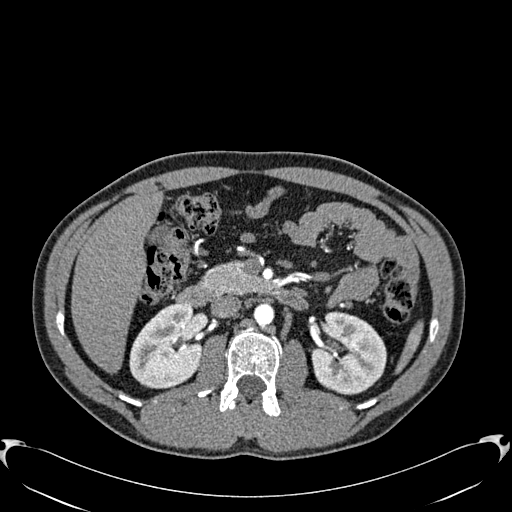
One axial slice (360 of 512, counting up from the lowest) of an arterial-phase abdominal CT acquired with 120 kVp, kernel B30f; each pixel is 0.771 mm and the slice is 1.00 mm thick.
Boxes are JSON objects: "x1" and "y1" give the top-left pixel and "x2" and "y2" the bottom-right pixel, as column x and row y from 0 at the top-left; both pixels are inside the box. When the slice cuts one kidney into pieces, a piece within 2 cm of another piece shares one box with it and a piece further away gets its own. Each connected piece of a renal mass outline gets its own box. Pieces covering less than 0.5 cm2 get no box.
Two kidney boxes on this slice; by box centre, from the image's left to its right: (1) Right kidney, box {"x1": 129, "y1": 303, "x2": 202, "y2": 388} (outlined area 4,678 px, about 27.8 cm2). (2) Left kidney, box {"x1": 311, "y1": 311, "x2": 386, "y2": 395} (outlined area 4,799 px, about 28.6 cm2). No renal mass is outlined on this slice.